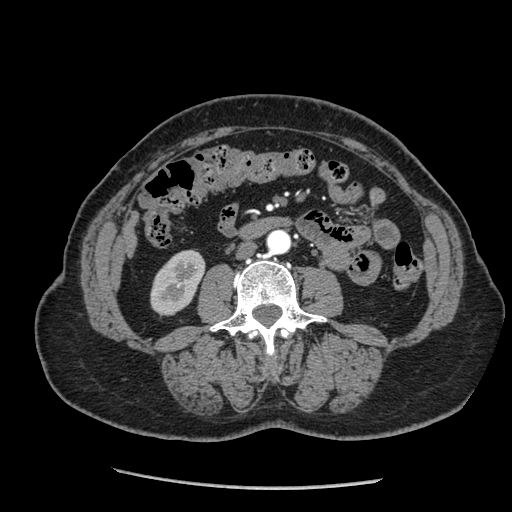
Arterial-phase contrast-enhanced abdominal CT, axial slice 92 of 233 (counted from the lowest slice); tube voltage 120 kVp, convolution kernel STANDARD; slices 1.25 mm thick, 0.703 mm per pixel.
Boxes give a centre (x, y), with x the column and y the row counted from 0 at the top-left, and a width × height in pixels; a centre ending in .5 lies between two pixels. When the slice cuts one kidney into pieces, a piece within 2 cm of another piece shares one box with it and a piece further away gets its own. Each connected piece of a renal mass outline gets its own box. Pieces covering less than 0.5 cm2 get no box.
Box centre (177.5, 282.5), 56 × 68 pixels: right kidney (outlined area 2,591 px, about 12.8 cm2). This slice carries no renal mass outline.